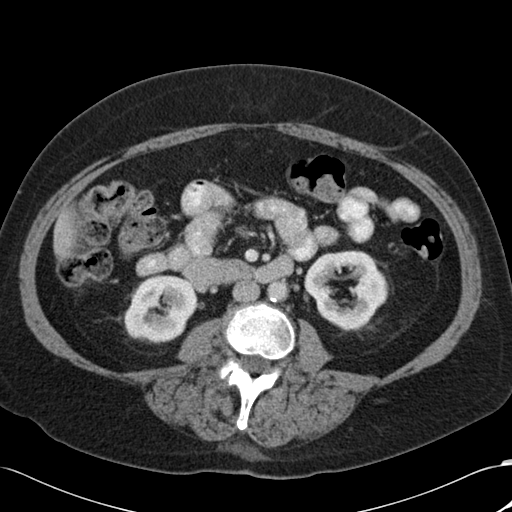
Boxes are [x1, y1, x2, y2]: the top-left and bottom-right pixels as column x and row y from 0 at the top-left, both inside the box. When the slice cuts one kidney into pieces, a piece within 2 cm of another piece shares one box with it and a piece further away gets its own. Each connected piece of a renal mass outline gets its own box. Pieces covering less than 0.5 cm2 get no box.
Arterial-phase contrast-enhanced abdominal CT, axial slice 54 of 88 (counted from the lowest slice); 5.00 mm thick, 0.691 mm per pixel. Boxed on this slice (two kidney boxes), listed by box centre from the image's left to its right: (1) Right kidney at [123, 275, 197, 343] (outlined area 3,859 px, about 18.4 cm2). (2) Box [304, 250, 388, 331]: left kidney (outlined area 4,627 px, about 22.1 cm2). This slice carries no renal mass outline.
Scan settings: 120 kVp, B30f reconstruction kernel.